Axial slice 302 of 538 of a contrast-enhanced abdominal CT in the arterial phase (slice 1 is the lowest), 120 kVp, kernel B30f; 1.00 mm slice thickness and 0.811 mm pixels.
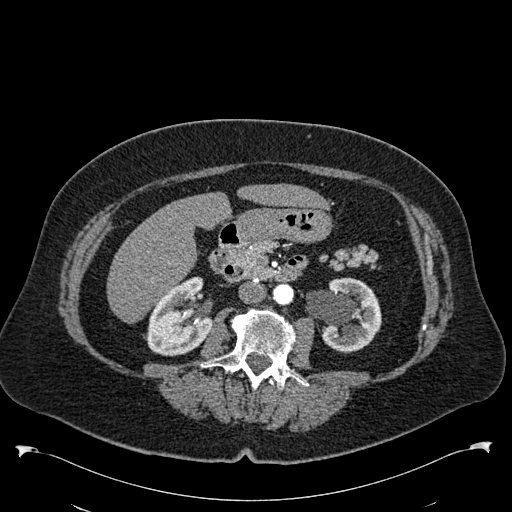
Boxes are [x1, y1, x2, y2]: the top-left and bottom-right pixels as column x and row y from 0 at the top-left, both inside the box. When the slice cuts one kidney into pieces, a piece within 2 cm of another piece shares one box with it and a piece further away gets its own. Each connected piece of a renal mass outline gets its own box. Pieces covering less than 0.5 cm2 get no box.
Two boxes on this slice (two kidney boxes), listed by box centre from the image's left to its right. (1) Right kidney at [144, 277, 212, 356] (outlined area 3,777 px, about 24.8 cm2). (2) Left kidney, box [305, 277, 381, 352] (outlined area 4,038 px, about 26.5 cm2). No renal mass outline on this slice.